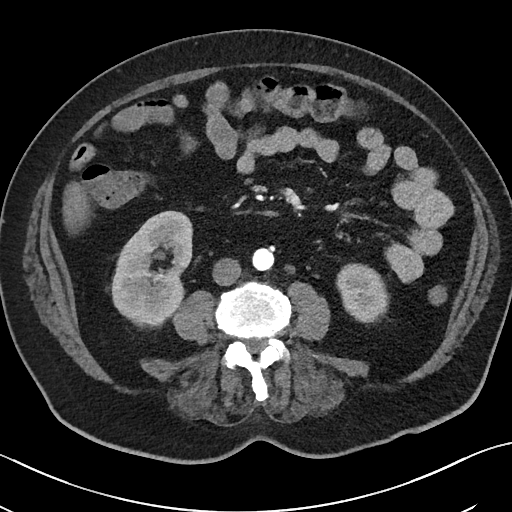
Contrast-enhanced abdominal CT, axial slice 12 of 50 (counted from the lowest slice); tube voltage 100 kVp, convolution kernel I40f; slices 5.00 mm thick, 0.723 mm per pixel.
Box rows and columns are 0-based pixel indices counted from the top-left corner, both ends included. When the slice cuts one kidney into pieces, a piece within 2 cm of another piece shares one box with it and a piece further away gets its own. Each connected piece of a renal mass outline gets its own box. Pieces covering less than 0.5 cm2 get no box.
Boxed on this slice (two kidney boxes), listed by box centre from the image's left to its right: (1) Box rows 210–323, columns 111–192: right kidney (outlined area 6,694 px, about 35.0 cm2). (2) Box rows 263–322, columns 336–389: left kidney (outlined area 2,387 px, about 12.5 cm2). No renal mass is outlined on this slice.